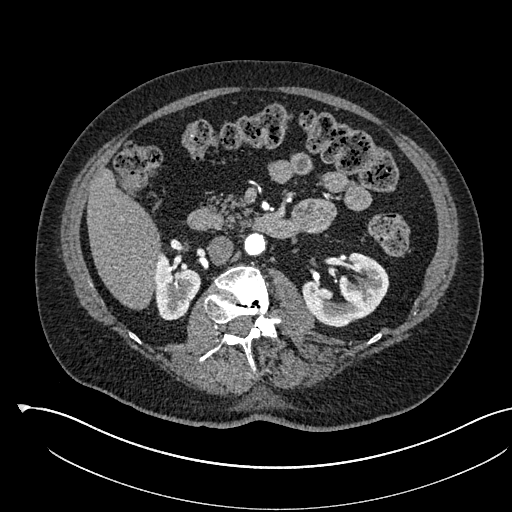
Axial slice 315 of 541 of a contrast-enhanced abdominal CT in the arterial phase (slice 1 is the lowest), 120 kVp, kernel I30f; 1.00 mm slice thickness and 0.834 mm pixels.
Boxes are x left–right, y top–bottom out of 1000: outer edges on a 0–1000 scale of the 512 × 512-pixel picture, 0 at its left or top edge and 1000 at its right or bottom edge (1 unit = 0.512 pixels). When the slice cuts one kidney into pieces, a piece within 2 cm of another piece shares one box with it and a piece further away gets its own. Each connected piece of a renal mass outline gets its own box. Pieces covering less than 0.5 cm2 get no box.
Boxed on this slice (two kidney boxes), listed by box centre from the image's left to its right: (1) Right kidney at x 299–393, y 488–627 out of 1000 (outlined area 2,356 px, about 16.4 cm2). (2) Left kidney, box x 590–762, y 492–641 out of 1000 (outlined area 4,147 px, about 28.8 cm2). This slice carries no renal mass outline.